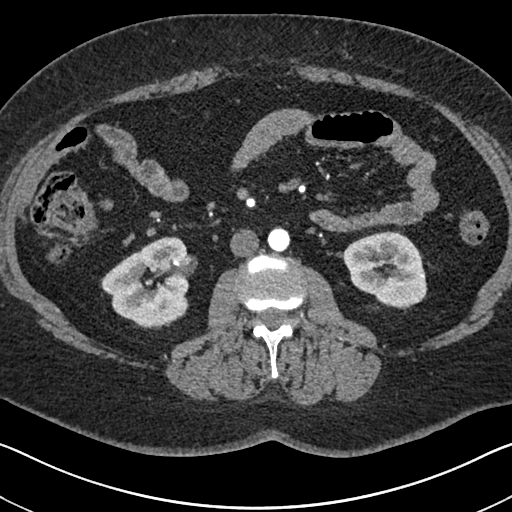
Arterial-phase contrast-enhanced abdominal CT, axial slice 349 of 591 (counted from the lowest slice); tube voltage 140 kVp, convolution kernel I30f; slices 1.00 mm thick, 0.703 mm per pixel.
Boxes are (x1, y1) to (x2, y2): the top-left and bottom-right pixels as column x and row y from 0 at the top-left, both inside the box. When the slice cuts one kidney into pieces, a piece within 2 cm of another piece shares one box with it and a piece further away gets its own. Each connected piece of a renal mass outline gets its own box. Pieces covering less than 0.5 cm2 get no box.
Two boxes on this slice (two kidney boxes), listed by box centre from the image's left to its right. (1) Box (101, 237) to (189, 329): right kidney (outlined area 5,777 px, about 28.6 cm2). (2) Box (343, 231) to (426, 308): left kidney (outlined area 4,807 px, about 23.8 cm2). No renal mass outline on this slice.